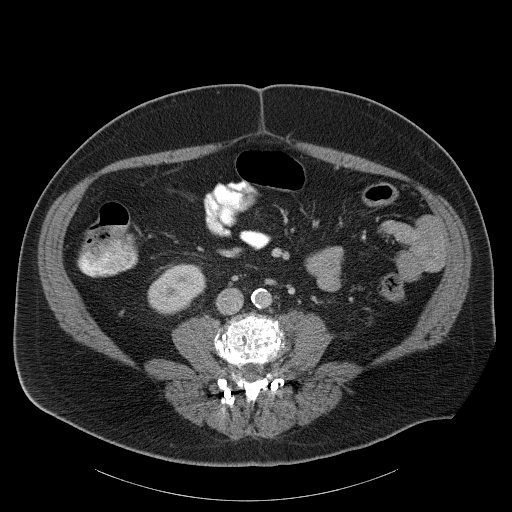
Axial slice 52 of 107 of a contrast-enhanced abdominal CT (slice 1 is the lowest), 120 kVp, kernel B31f; 5.00 mm slice thickness and 0.941 mm pixels.
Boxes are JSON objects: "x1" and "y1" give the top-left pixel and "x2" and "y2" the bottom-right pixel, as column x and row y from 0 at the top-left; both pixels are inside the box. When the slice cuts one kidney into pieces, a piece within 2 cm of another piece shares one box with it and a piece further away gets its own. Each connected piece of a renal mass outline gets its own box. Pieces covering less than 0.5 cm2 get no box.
Right kidney at {"x1": 147, "y1": 263, "x2": 206, "y2": 315} (outlined area 2,208 px, about 19.6 cm2). This slice carries no renal mass outline.